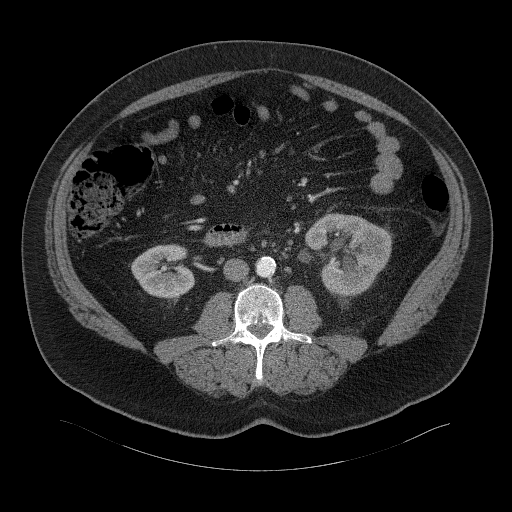
One axial slice (16 of 94, counting up from the lowest) of a contrast-enhanced abdominal CT acquired with 120 kVp, kernel B41f; each pixel is 0.977 mm and the slice is 3.00 mm thick.
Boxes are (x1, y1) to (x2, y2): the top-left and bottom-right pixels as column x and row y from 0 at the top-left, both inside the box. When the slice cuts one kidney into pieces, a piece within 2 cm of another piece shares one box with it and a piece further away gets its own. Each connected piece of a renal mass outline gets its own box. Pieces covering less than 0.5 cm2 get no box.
Two kidney boxes on this slice; by box centre, from the image's left to its right: (1) Right kidney, box (131, 244) to (195, 298) (outlined area 2,604 px, about 24.8 cm2). (2) Box (305, 213) to (391, 296): left kidney (outlined area 5,076 px, about 48.4 cm2). No renal mass is outlined on this slice.